Arterial-phase contrast-enhanced abdominal CT, axial slice 308 of 634 (counted from the lowest slice); tube voltage 120 kVp, convolution kernel B20f; slices 1.00 mm thick, 0.838 mm per pixel.
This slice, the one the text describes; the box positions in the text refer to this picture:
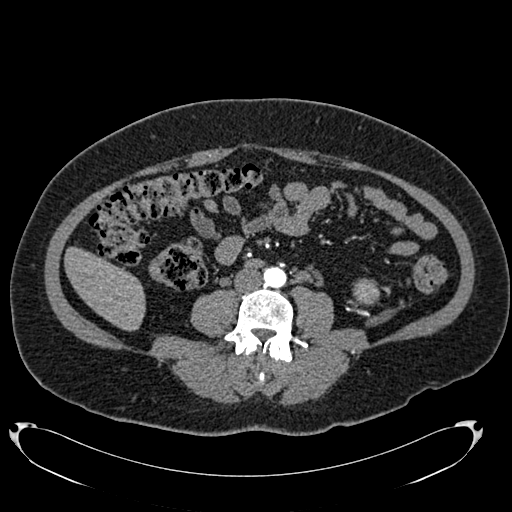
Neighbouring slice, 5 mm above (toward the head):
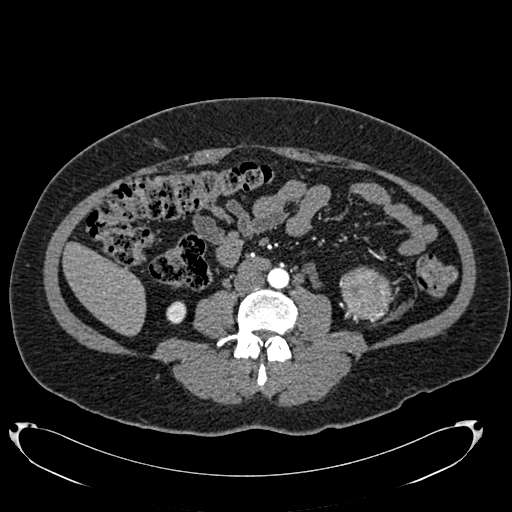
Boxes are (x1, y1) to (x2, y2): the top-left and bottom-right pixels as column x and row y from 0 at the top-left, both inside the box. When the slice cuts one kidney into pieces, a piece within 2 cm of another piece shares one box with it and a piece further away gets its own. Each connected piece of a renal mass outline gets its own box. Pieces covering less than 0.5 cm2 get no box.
Left renal mass from (353, 278) to (379, 305) (outlined area 589 px, about 4.1 cm2); no kidney outline appears on this slice, but the same outlined renal mass comes within 1 cm of the kidney on another slice. This slice lies near the end of the left renal mass toward the feet; the slice 5 mm above it is shown too, and the boxes mark positions on this slice only.